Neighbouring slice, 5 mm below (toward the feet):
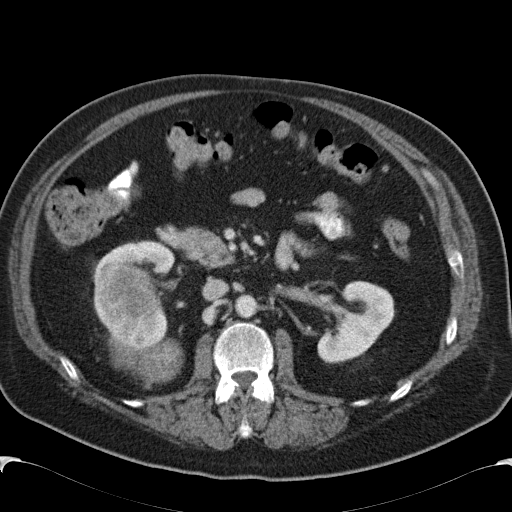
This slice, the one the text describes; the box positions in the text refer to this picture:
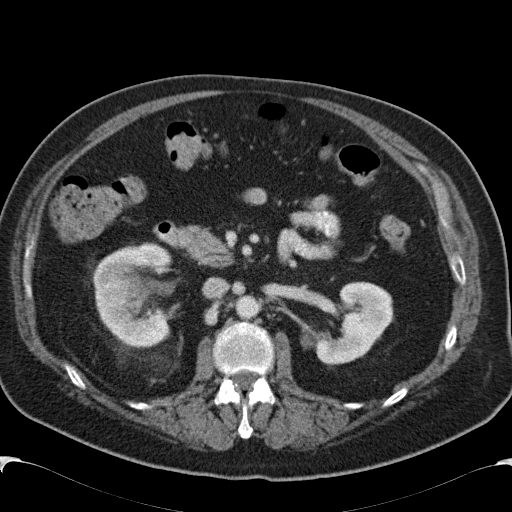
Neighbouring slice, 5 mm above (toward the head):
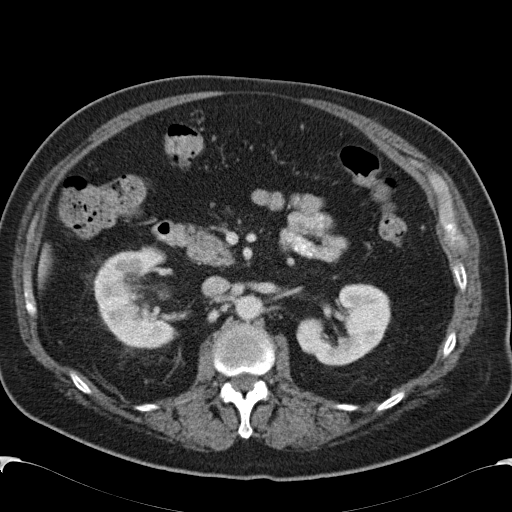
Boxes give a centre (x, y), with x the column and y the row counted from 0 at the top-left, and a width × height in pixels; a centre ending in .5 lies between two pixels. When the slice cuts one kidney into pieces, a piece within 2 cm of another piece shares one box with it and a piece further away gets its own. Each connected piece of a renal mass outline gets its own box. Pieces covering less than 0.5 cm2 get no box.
Contrast-enhanced abdominal CT, axial slice 71 of 99 (counted from the lowest slice); 5.00 mm thick, 0.742 mm per pixel. Three boxes on this slice (two kidney boxes and one renal mass box), listed by box centre from the image's left to its right. (1) Right renal mass, box centre (123.5, 286), 34 × 25 pixels (outlined area 620 px, about 3.4 cm2). (2) Right kidney in a box with centre (132, 295), 81 × 107 pixels (outlined area 6,079 px, about 33.5 cm2). (3) Left kidney, box centre (353, 323), 81 × 85 pixels (outlined area 4,243 px, about 23.4 cm2). This slice lies near the end of the right renal mass toward the head; the slices 5 mm below and 5 mm above it are shown too, and the boxes mark positions on this slice only.
Scan settings: 120 kVp, B31f reconstruction kernel.